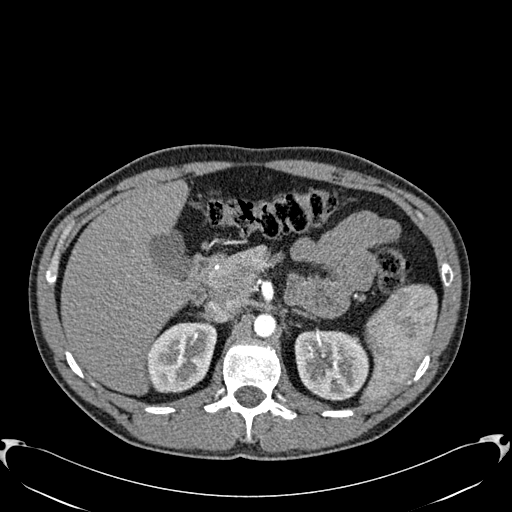
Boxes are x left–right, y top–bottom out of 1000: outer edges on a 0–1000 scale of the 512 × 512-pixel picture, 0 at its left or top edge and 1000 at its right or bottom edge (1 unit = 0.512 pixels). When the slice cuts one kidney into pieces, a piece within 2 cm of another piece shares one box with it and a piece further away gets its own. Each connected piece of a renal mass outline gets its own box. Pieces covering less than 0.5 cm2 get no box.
Arterial-phase contrast-enhanced abdominal CT, axial slice 408 of 512 (counted from the lowest slice); 1.00 mm thick, 0.771 mm per pixel. Two kidney boxes on this slice; by box centre, from the image's left to its right: (1) Box x 287–426, y 627–770 out of 1000: right kidney (outlined area 3,900 px, about 23.2 cm2). (2) Left kidney at x 574–721, y 645–783 out of 1000 (outlined area 4,290 px, about 25.5 cm2). This slice carries no renal mass outline.
Acquired at 120 kVp and reconstructed with the B30f kernel.